Abdominal CT with intravenous contrast, arterial phase, axial plane, 120 kVp, kernel I30f. Slice 207/602 from the bottom of the scan; thickness 1.00 mm; pixel size 0.799 mm.
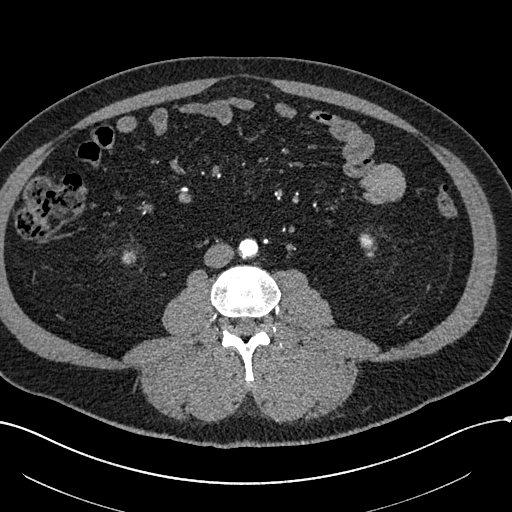
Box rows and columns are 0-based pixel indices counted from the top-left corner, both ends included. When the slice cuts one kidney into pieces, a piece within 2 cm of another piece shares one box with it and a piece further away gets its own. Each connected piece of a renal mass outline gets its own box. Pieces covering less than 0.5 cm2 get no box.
Two kidney boxes on this slice; by box centre, from the image's left to its right: (1) Right kidney at rows 250–264, columns 121–137 (outlined area 186 px, about 1.2 cm2). (2) Left kidney at rows 233–257, columns 359–376 (outlined area 293 px, about 1.9 cm2). This slice carries no renal mass outline.